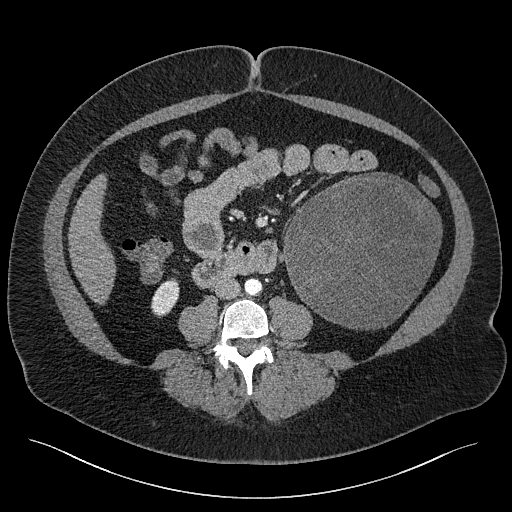
Contrast-enhanced abdominal CT, axial slice 85 of 301 (counted from the lowest slice); tube voltage 120 kVp, convolution kernel I40f; slices 2.00 mm thick, 0.859 mm per pixel.
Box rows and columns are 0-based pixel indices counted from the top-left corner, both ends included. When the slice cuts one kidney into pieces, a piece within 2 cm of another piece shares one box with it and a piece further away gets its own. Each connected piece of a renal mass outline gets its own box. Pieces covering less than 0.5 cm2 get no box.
Two boxes on this slice (one kidney box and one renal mass box), listed by box centre from the image's left to its right. (1) Right kidney at rows 280–317, columns 150–179 (outlined area 775 px, about 5.7 cm2). (2) Left renal mass, box rows 172–329, columns 283–442 (outlined area 18,855 px, about 139.2 cm2); on this slice it lies more than 1 cm from any kidney outline, but the same outlined renal mass comes within 1 cm of the kidney on another slice.